Axial slice 695 of 987 of a contrast-enhanced abdominal CT in the arterial phase (slice 1 is the lowest), 120 kVp, kernel I26f; 1.00 mm slice thickness and 0.977 mm pixels.
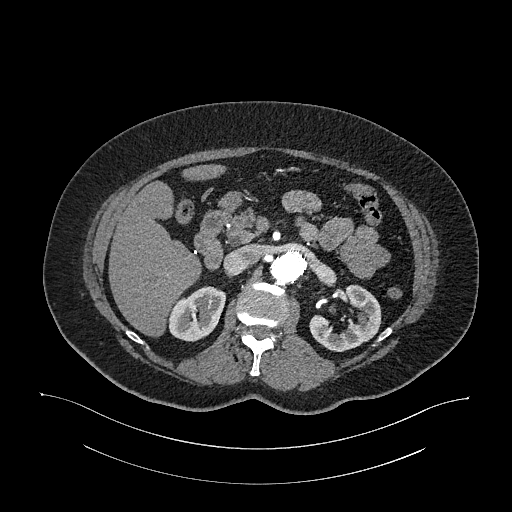
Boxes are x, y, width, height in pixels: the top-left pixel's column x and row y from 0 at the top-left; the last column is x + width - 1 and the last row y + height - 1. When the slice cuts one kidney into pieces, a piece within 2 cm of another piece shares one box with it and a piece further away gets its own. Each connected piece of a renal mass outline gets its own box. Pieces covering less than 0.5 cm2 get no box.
Two kidney boxes on this slice; by box centre, from the image's left to its right: (1) Box x 167, y 286, width 59, height 56: right kidney (outlined area 2,332 px, about 22.2 cm2). (2) Left kidney at x 309, y 285, width 73, height 67 (outlined area 2,776 px, about 26.5 cm2). No renal mass outline on this slice.